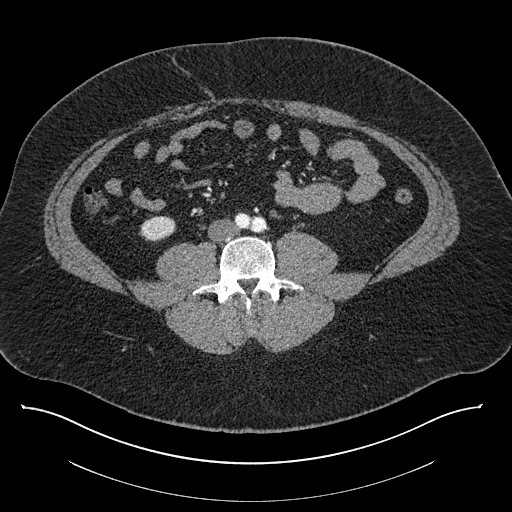
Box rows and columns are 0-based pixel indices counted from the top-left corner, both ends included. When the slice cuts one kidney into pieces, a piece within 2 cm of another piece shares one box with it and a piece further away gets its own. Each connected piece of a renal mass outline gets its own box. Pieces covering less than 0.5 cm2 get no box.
This is axial slice 325 of 787 (slice 1 is the lowest) of an abdominal CT with contrast; each pixel is 0.910 mm and the slice is 1.00 mm thick. Box rows 216–241, columns 139–175: right kidney (outlined area 742 px, about 6.1 cm2). No renal mass outline on this slice.
Scan settings: 140 kVp, I30f reconstruction kernel.